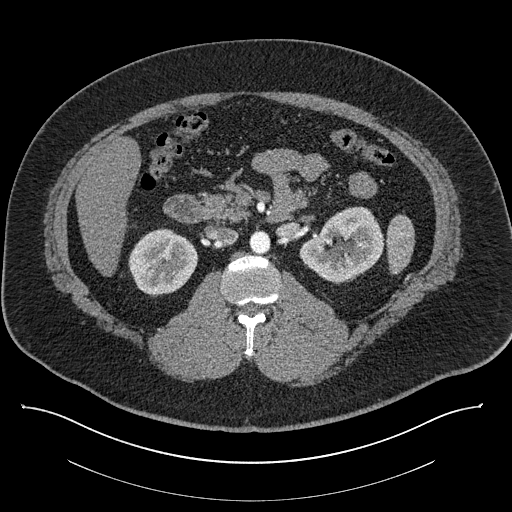
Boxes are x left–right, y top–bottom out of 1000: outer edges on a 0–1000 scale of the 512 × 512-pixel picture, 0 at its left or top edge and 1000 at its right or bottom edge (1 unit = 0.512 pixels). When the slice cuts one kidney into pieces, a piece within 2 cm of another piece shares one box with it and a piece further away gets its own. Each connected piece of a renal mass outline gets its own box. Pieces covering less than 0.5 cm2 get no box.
This is axial slice 502 of 787 (slice 1 is the lowest) of an abdominal CT with contrast; each pixel is 0.910 mm and the slice is 1.00 mm thick. Two boxes on this slice (two kidney boxes), listed by box centre from the image's left to its right. (1) Right kidney, box x 250–389, y 445–582 out of 1000 (outlined area 3,567 px, about 29.5 cm2). (2) Box x 584–752, y 402–557 out of 1000: left kidney (outlined area 4,496 px, about 37.2 cm2). No renal mass is outlined on this slice.
Acquired at 140 kVp and reconstructed with the I30f kernel.